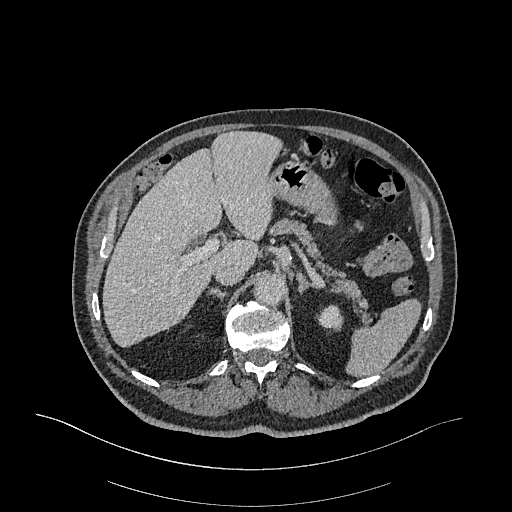
One axial slice (256 of 470, counting up from the lowest) of an arterial-phase abdominal CT acquired with 120 kVp, kernel I26f; each pixel is 0.938 mm and the slice is 1.00 mm thick.
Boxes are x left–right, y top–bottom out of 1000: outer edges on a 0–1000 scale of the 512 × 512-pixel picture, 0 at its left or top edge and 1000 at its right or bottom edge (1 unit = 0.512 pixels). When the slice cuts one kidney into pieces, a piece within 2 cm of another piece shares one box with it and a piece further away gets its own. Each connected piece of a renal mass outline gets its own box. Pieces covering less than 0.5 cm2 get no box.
Box x 617–672, y 594–648 out of 1000: left kidney (outlined area 534 px, about 4.7 cm2). No renal mass outline on this slice.